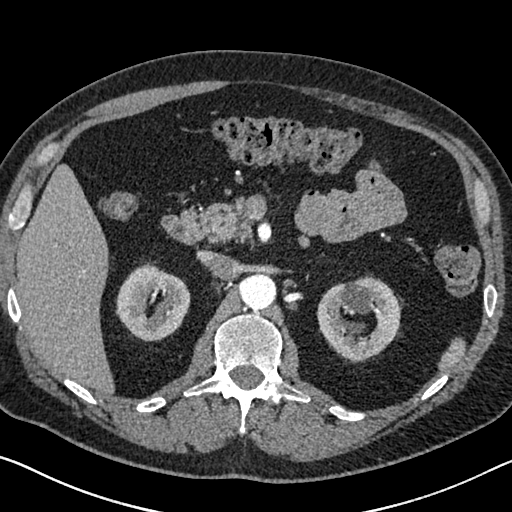
One axial slice (444 of 626, counting up from the lowest) of an arterial-phase abdominal CT acquired with 120 kVp, kernel I30f; each pixel is 0.703 mm and the slice is 1.00 mm thick.
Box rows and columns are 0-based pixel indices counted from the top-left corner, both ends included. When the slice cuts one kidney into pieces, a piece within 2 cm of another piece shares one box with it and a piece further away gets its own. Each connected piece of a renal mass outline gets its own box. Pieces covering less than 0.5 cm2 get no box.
Two kidney boxes on this slice; by box centre, from the image's left to its right: (1) Right kidney at rows 262–341, columns 115–190 (outlined area 4,174 px, about 20.6 cm2). (2) Left kidney, box rows 274–361, columns 316–402 (outlined area 5,096 px, about 25.2 cm2). No renal mass is outlined on this slice.